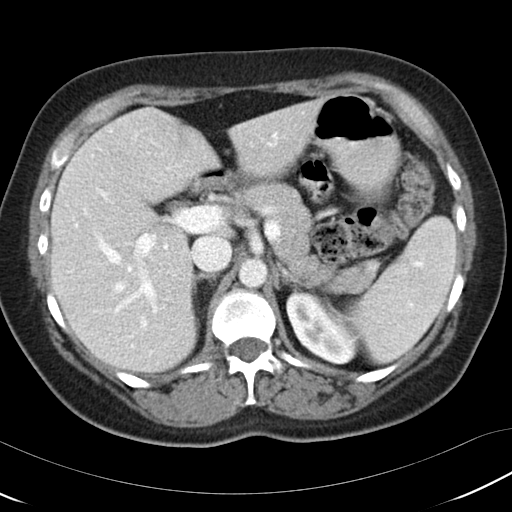
Abdominal CT with intravenous contrast, axial plane, 120 kVp, kernel B30f. Slice 75/97 from the bottom of the scan; thickness 5.00 mm; pixel size 0.664 mm.
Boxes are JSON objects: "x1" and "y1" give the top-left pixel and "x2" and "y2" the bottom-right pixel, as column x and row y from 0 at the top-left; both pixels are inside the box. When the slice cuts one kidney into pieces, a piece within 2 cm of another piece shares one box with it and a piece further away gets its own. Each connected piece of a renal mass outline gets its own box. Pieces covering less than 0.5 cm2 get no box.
Left kidney, box {"x1": 286, "y1": 293, "x2": 357, "y2": 364} (outlined area 3,062 px, about 13.5 cm2). This slice carries no renal mass outline.